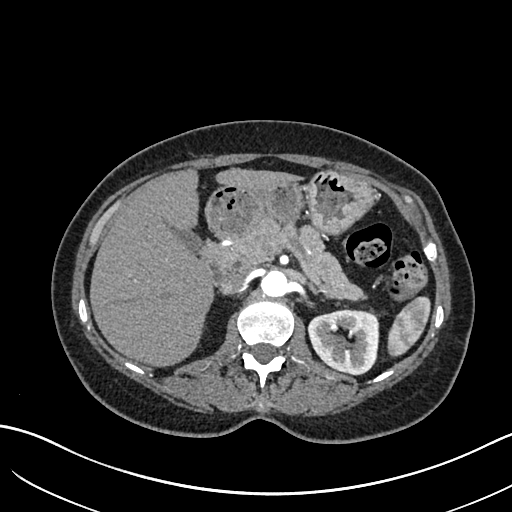
One axial slice (427 of 683, counting up from the lowest) of an arterial-phase abdominal CT acquired with 120 kVp, kernel I30f; each pixel is 0.738 mm and the slice is 1.00 mm thick.
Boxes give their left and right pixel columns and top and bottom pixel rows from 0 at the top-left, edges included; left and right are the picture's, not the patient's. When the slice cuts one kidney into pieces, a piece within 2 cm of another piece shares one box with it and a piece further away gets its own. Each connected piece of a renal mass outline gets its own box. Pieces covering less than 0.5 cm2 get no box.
Left kidney, the box with left 307, top 309, right 379, bottom 375 (outlined area 3,738 px, about 20.4 cm2). No renal mass outline on this slice.